Arterial-phase contrast-enhanced abdominal CT, axial slice 503 of 705 (counted from the lowest slice); tube voltage 120 kVp, convolution kernel I30f; slices 1.00 mm thick, 0.703 mm per pixel.
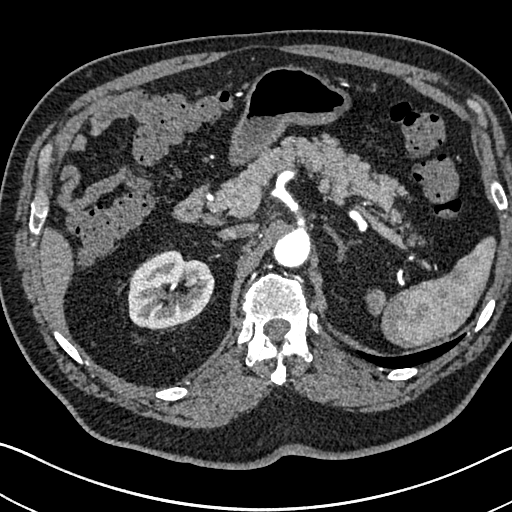
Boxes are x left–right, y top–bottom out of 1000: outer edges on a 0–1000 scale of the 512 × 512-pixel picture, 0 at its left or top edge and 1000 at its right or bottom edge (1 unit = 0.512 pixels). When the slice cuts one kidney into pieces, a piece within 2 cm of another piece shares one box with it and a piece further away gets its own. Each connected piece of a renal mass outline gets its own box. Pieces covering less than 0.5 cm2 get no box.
Right kidney, box x 250–420, y 488–645 out of 1000 (outlined area 5,181 px, about 25.6 cm2). This slice carries no renal mass outline.